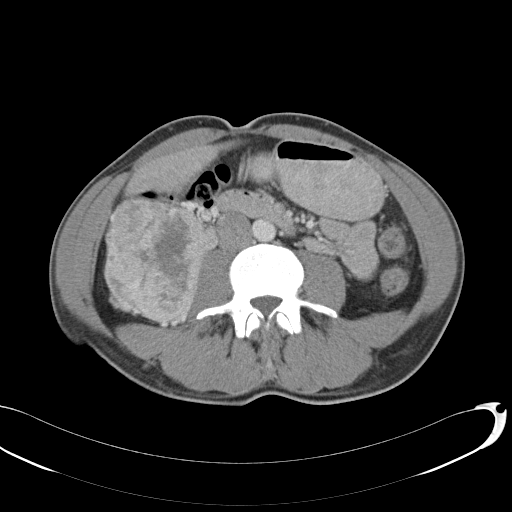
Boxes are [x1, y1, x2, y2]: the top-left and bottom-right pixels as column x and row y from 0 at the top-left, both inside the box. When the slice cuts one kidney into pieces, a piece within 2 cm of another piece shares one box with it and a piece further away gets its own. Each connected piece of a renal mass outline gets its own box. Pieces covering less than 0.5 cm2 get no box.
This is axial slice 55 of 146 (slice 1 is the lowest) of an abdominal CT with contrast; each pixel is 0.742 mm and the slice is 5.00 mm thick. Two boxes on this slice (one kidney box and one renal mass box), listed by box centre from the image's left to its right. (1) Right kidney, box [105, 282, 138, 316] (outlined area 509 px, about 2.8 cm2). (2) Box [103, 199, 204, 323]: right renal mass (outlined area 9,797 px, about 54.0 cm2).
Tube voltage 120 kVp; convolution kernel B31f.